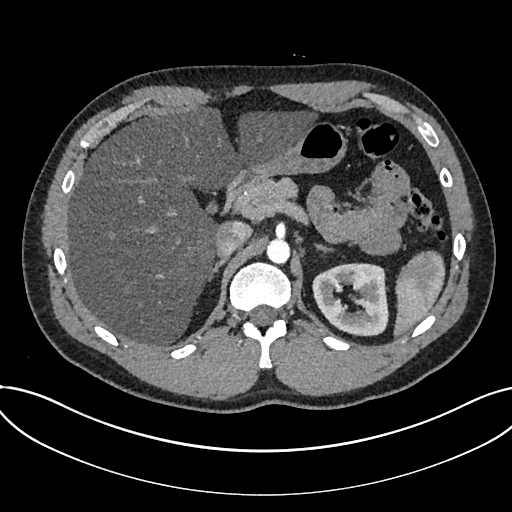
One axial slice (515 of 735, counting up from the lowest) of an arterial-phase abdominal CT acquired with 120 kVp, kernel I30f; each pixel is 0.789 mm and the slice is 1.00 mm thick.
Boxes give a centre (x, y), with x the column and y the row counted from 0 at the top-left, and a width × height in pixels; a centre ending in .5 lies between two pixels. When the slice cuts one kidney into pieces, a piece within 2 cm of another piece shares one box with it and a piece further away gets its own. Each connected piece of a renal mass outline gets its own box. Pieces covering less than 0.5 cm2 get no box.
Kidney in a box with centre (350, 299.5), 77 × 74 pixels (outlined area 4,315 px, about 26.9 cm2). This slice carries no renal mass outline.